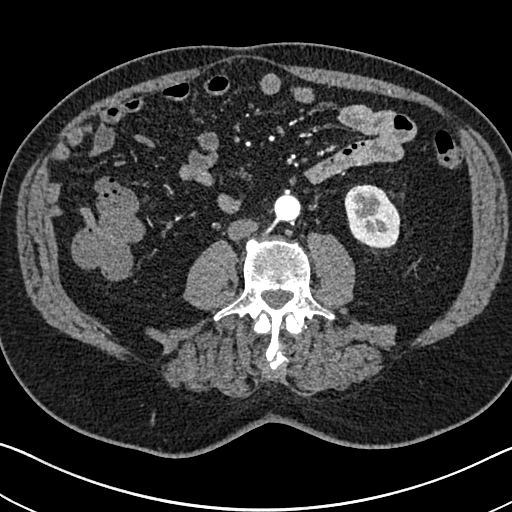
One axial slice (300 of 705, counting up from the lowest) of an arterial-phase abdominal CT acquired with 120 kVp, kernel I30f; each pixel is 0.703 mm and the slice is 1.00 mm thick.
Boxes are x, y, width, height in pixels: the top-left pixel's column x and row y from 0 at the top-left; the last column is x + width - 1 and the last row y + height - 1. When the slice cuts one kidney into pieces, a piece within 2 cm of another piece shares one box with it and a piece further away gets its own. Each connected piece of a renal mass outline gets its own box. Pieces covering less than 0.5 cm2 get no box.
Left kidney at x 344, y 184, width 57, height 68 (outlined area 2,850 px, about 14.1 cm2). No renal mass is outlined on this slice.